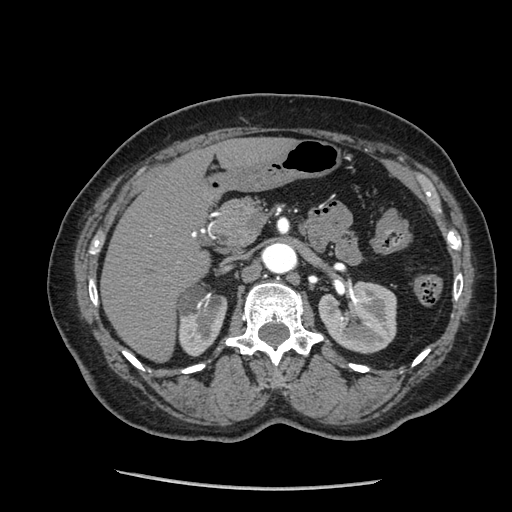
Abdominal CT with intravenous contrast, arterial phase, axial plane, 120 kVp, kernel STANDARD. Slice 141/233 from the bottom of the scan; thickness 1.25 mm; pixel size 0.703 mm.
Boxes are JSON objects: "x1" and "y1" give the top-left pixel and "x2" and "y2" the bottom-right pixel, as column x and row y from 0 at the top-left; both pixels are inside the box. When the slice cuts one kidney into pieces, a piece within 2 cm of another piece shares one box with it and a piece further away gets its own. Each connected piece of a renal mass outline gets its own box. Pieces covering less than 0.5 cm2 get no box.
Two boxes on this slice (two kidney boxes), listed by box centre from the image's left to its right. (1) Box {"x1": 177, "y1": 285, "x2": 227, "y2": 356}: right kidney (outlined area 2,688 px, about 13.3 cm2). (2) Box {"x1": 318, "y1": 280, "x2": 396, "y2": 353}: left kidney (outlined area 4,429 px, about 21.9 cm2). No renal mass is outlined on this slice.